Axial slice 558 of 612 of a contrast-enhanced abdominal CT in the arterial phase (slice 1 is the lowest), 120 kVp, kernel I30f; 1.00 mm slice thickness and 0.703 mm pixels.
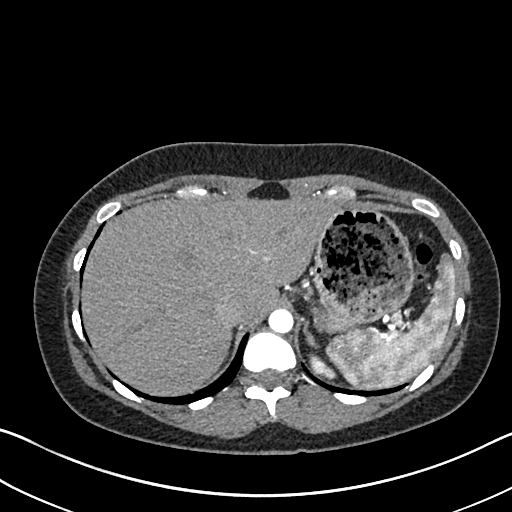
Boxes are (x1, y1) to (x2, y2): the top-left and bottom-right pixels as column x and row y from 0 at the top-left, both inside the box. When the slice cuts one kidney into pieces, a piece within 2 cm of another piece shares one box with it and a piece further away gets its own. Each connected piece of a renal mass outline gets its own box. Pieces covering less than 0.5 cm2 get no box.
Box (309, 353) to (336, 377): left kidney (outlined area 335 px, about 1.7 cm2). No renal mass is outlined on this slice.